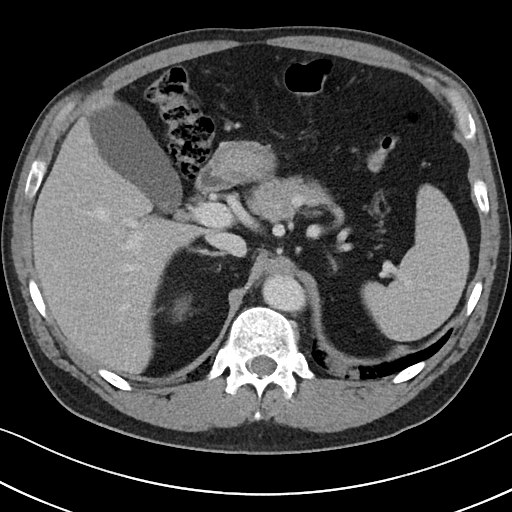
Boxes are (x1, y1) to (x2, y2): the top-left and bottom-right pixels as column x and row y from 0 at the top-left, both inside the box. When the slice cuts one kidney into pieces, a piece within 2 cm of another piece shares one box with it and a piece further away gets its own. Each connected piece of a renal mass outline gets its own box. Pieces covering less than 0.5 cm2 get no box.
Contrast-enhanced abdominal CT, axial slice 77 of 101 (counted from the lowest slice); 5.00 mm thick, 0.684 mm per pixel. Right kidney, box (173, 297) to (190, 320) (outlined area 254 px, about 1.2 cm2). This slice carries no renal mass outline.
Scan settings: 100 kVp, I40f reconstruction kernel.